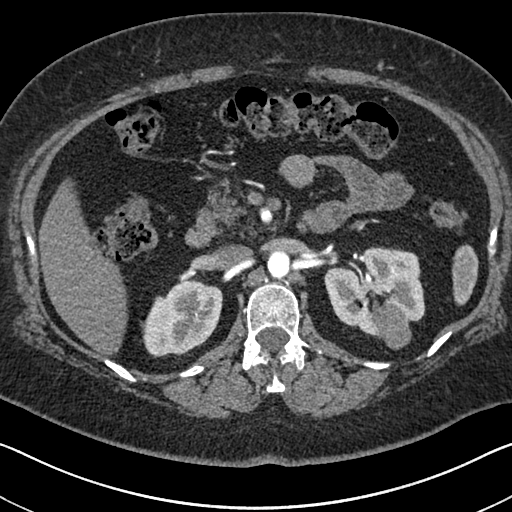
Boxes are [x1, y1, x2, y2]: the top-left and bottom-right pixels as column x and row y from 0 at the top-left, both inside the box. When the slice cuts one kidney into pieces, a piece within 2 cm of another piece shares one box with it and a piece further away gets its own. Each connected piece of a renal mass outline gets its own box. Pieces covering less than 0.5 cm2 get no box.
This is axial slice 436 of 591 (slice 1 is the lowest) of an arterial-phase abdominal CT with contrast; each pixel is 0.703 mm and the slice is 1.00 mm thick. Two kidney boxes and one renal mass box on this slice; by box centre, from the image's left to its right: (1) Box [140, 280, 222, 357]: right kidney (outlined area 4,586 px, about 22.7 cm2). (2) Box [324, 246, 425, 337]: left kidney (outlined area 5,842 px, about 28.9 cm2). (3) Box [371, 305, 411, 349]: left renal mass (outlined area 1,331 px, about 6.6 cm2).
Scan settings: 140 kVp, I30f reconstruction kernel.